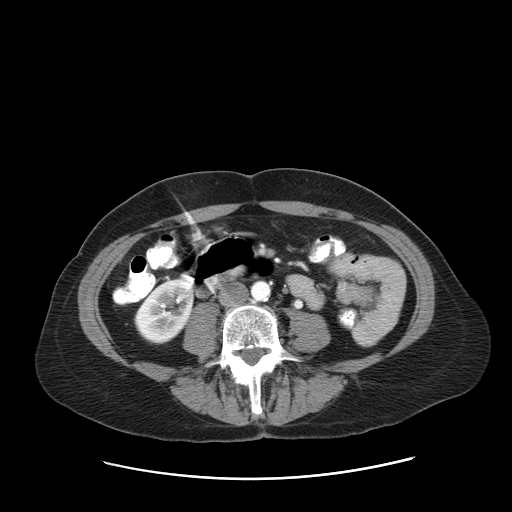
Abdominal CT with intravenous contrast, arterial phase, axial plane, 120 kVp, kernel STANDARD. Slice 42/83 from the bottom of the scan; thickness 5.00 mm; pixel size 0.775 mm.
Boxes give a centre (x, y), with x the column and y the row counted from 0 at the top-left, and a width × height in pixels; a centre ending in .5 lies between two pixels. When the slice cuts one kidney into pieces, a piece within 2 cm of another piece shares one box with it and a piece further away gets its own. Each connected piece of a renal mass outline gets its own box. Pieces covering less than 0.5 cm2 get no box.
Right kidney in a box with centre (164, 311), 61 × 67 pixels (outlined area 2,871 px, about 17.3 cm2). No renal mass is outlined on this slice.